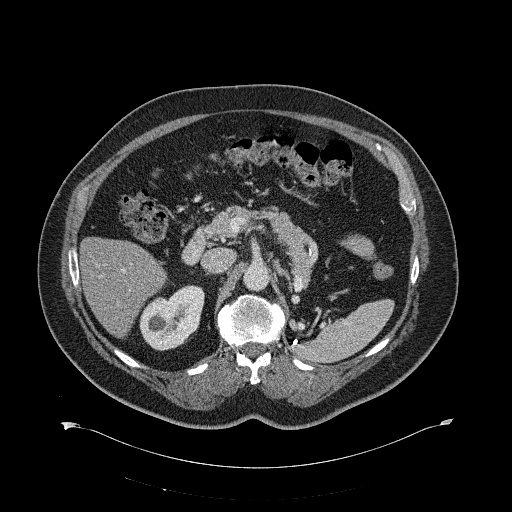
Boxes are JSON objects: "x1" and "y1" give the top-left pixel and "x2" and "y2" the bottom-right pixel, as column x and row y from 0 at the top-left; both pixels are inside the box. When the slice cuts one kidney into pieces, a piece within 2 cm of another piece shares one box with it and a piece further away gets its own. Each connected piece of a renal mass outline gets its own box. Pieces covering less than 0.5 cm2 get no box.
This is axial slice 405 of 734 (slice 1 is the lowest) of an abdominal CT with contrast; each pixel is 0.971 mm and the slice is 2.00 mm thick. Right kidney at {"x1": 139, "y1": 285, "x2": 204, "y2": 350} (outlined area 3,049 px, about 28.7 cm2). No renal mass is outlined on this slice.
Scan settings: 120 kVp, B31f reconstruction kernel.